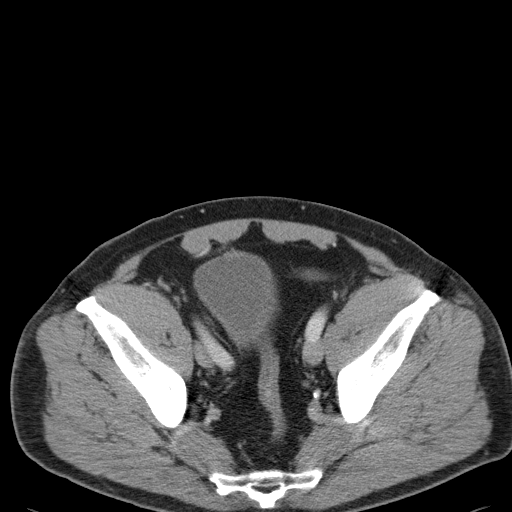
Abdominal CT with intravenous contrast, axial plane, 120 kVp, kernel B31f. Slice 28/107 from the bottom of the scan; thickness 5.00 mm; pixel size 0.730 mm.
Neither a kidney nor a renal mass is outlined here. Only kidneys and renal masses are outlined anywhere in this scan; other structures are never outlined.